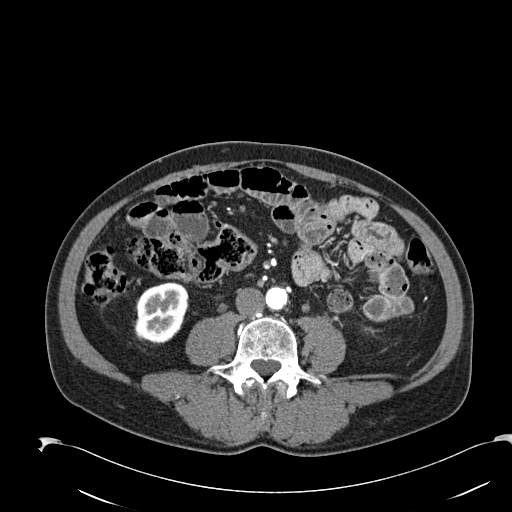
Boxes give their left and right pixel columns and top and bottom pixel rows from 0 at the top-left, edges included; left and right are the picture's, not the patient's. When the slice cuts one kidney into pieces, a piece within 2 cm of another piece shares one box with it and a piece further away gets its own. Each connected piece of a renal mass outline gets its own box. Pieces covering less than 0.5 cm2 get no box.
Arterial-phase contrast-enhanced abdominal CT, axial slice 56 of 274 (counted from the lowest slice); 2.00 mm thick, 0.809 mm per pixel. Box with left 134, top 282, right 188, bottom 342: right kidney (outlined area 2,620 px, about 17.1 cm2). No renal mass is outlined on this slice.
Acquired at 120 kVp and reconstructed with the B30f kernel.